Abdominal CT with intravenous contrast, arterial phase, axial plane, 120 kVp, kernel B31f. Slice 39/68 from the bottom of the scan; thickness 5.00 mm; pixel size 0.961 mm.
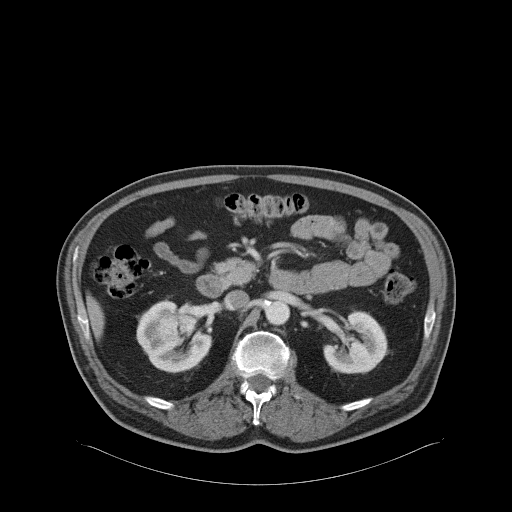
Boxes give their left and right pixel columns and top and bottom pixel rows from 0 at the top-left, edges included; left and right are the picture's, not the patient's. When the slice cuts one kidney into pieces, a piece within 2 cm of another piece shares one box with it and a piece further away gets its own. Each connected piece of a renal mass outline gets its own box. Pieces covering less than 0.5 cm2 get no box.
Two kidney boxes and one renal mass box on this slice; by box centre, from the image's left to its right: (1) Right kidney in the box with left 136, top 300, right 211, bottom 373 (outlined area 2,620 px, about 24.2 cm2). (2) Box with left 154, top 306, right 198, bottom 349: right renal mass (outlined area 1,269 px, about 11.7 cm2). (3) Box with left 323, top 310, right 387, bottom 373: left kidney (outlined area 2,962 px, about 27.4 cm2).